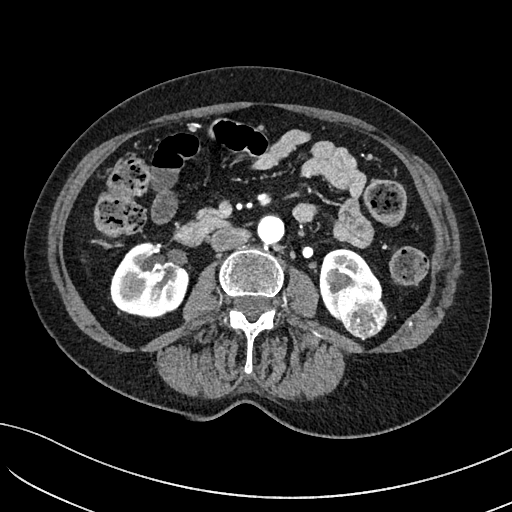
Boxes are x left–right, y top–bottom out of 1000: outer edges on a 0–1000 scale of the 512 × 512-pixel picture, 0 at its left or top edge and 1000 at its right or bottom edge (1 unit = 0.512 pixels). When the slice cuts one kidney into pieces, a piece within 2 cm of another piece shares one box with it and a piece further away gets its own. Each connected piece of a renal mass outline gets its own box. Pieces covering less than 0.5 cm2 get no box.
Arterial-phase contrast-enhanced abdominal CT, axial slice 42 of 234 (counted from the lowest slice); 2.00 mm thick, 0.699 mm per pixel. Two kidney boxes and one renal mass box on this slice; by box centre, from the image's left to its right: (1) Right kidney at x 215–371, y 473–623 out of 1000 (outlined area 4,510 px, about 22.0 cm2). (2) Box x 623–748, y 484–627 out of 1000: left kidney (outlined area 2,318 px, about 11.3 cm2). (3) Left renal mass, box x 652–758, y 559–662 out of 1000 (outlined area 2,094 px, about 10.2 cm2).
Tube voltage 100 kVp; convolution kernel I40f.